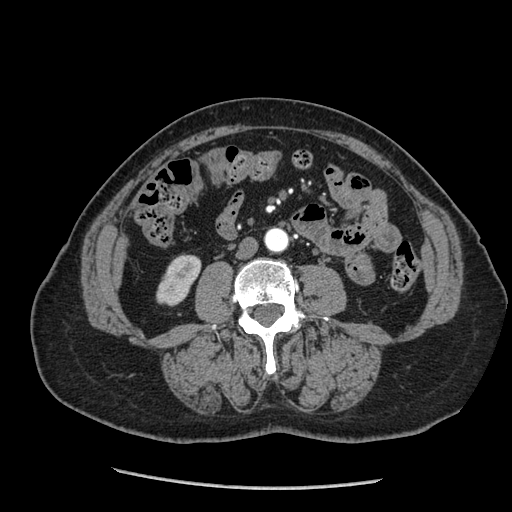
Arterial-phase contrast-enhanced abdominal CT, axial slice 87 of 233 (counted from the lowest slice); tube voltage 120 kVp, convolution kernel STANDARD; slices 1.25 mm thick, 0.703 mm per pixel.
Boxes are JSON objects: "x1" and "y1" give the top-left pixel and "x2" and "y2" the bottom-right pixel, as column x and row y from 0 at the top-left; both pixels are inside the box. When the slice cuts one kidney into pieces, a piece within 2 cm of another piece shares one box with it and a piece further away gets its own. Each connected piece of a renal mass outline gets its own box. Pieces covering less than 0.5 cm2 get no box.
Right kidney, box {"x1": 156, "y1": 254, "x2": 201, "y2": 306} (outlined area 1,582 px, about 7.8 cm2). This slice carries no renal mass outline.